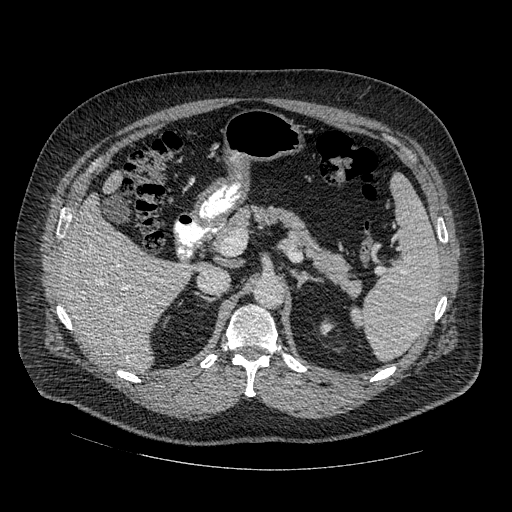
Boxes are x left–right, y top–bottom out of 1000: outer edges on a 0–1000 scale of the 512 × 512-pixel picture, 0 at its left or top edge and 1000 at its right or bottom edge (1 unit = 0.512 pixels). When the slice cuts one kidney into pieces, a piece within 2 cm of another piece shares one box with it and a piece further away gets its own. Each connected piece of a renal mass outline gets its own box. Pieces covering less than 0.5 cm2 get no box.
Slice 315/445 of a contrast-enhanced abdominal CT in the arterial phase, counting up from the lowest; pixel size 0.863 mm, slice thickness 1.25 mm. Left kidney, box x 623–656, y 621–658 out of 1000 (outlined area 179 px, about 1.3 cm2). No renal mass is outlined on this slice.
Tube voltage 120 kVp; convolution kernel STANDARD.